Abdominal CT with intravenous contrast, arterial phase, axial plane, 120 kVp, kernel B20f. Slice 453/634 from the bottom of the scan; thickness 1.00 mm; pixel size 0.838 mm.
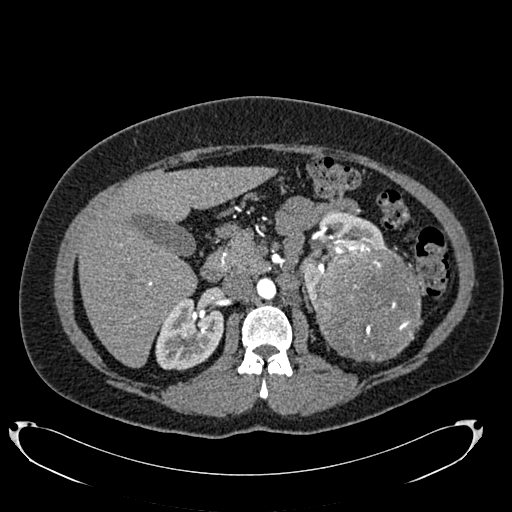
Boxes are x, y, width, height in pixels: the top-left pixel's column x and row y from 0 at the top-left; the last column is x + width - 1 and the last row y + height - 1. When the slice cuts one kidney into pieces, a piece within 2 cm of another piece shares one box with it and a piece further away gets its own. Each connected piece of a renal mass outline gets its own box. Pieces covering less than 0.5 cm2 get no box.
Three boxes on this slice (two kidney boxes and one renal mass box), listed by box centre from the image's left to its right. (1) Right kidney at x 155, y 296, width 69, height 75 (outlined area 3,733 px, about 26.2 cm2). (2) Left kidney at x 300, y 211, width 87, height 100 (outlined area 3,038 px, about 21.3 cm2). (3) Left renal mass at x 313, y 246, width 110, height 116 (outlined area 10,122 px, about 71.1 cm2).